Abdominal CT with intravenous contrast, axial plane, 120 kVp, kernel B41f. Slice 57/91 from the bottom of the scan; thickness 5.00 mm; pixel size 0.762 mm.
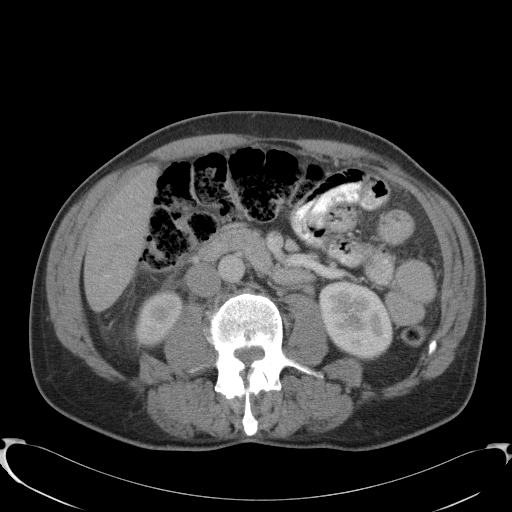
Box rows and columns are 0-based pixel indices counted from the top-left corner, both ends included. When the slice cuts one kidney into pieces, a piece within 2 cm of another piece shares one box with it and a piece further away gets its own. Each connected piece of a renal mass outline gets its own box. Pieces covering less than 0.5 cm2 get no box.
Two boxes on this slice (two kidney boxes), listed by box centre from the image's left to its right. (1) Right kidney at rows 292–346, columns 135–182 (outlined area 1,900 px, about 11.0 cm2). (2) Left kidney at rows 280–359, columns 318–393 (outlined area 4,519 px, about 26.2 cm2). No renal mass is outlined on this slice.